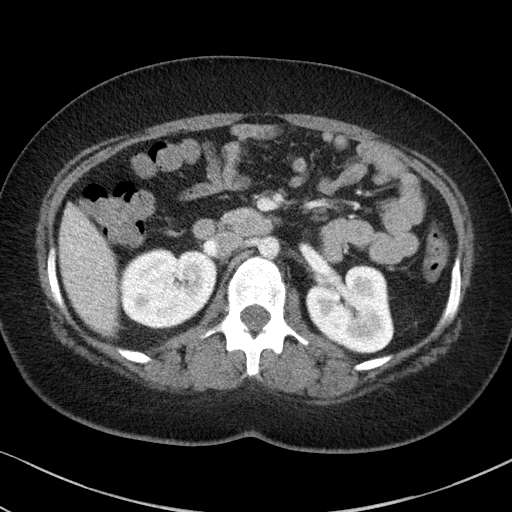
Abdominal CT with intravenous contrast, arterial phase, axial plane, 100 kVp, kernel I41f. Slice 56/85 from the bottom of the scan; thickness 5.00 mm; pixel size 0.664 mm.
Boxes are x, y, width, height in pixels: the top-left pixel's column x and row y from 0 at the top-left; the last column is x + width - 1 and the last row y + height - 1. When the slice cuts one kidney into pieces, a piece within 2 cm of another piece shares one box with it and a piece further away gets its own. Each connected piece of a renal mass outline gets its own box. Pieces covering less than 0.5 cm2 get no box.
Two boxes on this slice (two kidney boxes), listed by box centre from the image's left to its right. (1) Right kidney, box x 120, y 248, width 98, height 82 (outlined area 6,265 px, about 27.6 cm2). (2) Left kidney, box x 305, y 264, width 90, height 90 (outlined area 5,904 px, about 26.0 cm2). No renal mass outline on this slice.